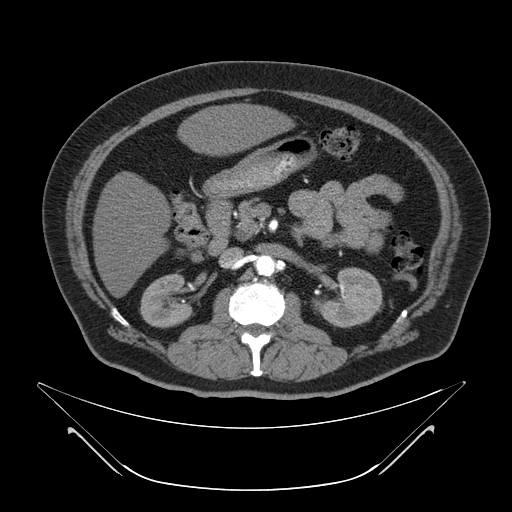
Contrast-enhanced abdominal CT, axial slice 29 of 64 (counted from the lowest slice); tube voltage 120 kVp, convolution kernel B; slices 4.00 mm thick, 0.977 mm per pixel.
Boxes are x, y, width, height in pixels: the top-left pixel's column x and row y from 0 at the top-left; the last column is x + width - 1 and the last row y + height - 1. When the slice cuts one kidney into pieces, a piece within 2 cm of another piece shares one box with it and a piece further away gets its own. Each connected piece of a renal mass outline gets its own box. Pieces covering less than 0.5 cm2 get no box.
Two kidney boxes on this slice; by box centre, from the image's left to its right: (1) Right kidney, box x 140, y 272, width 54, height 57 (outlined area 2,189 px, about 20.9 cm2). (2) Left kidney at x 320, y 267, width 63, height 61 (outlined area 2,768 px, about 26.4 cm2). No renal mass is outlined on this slice.